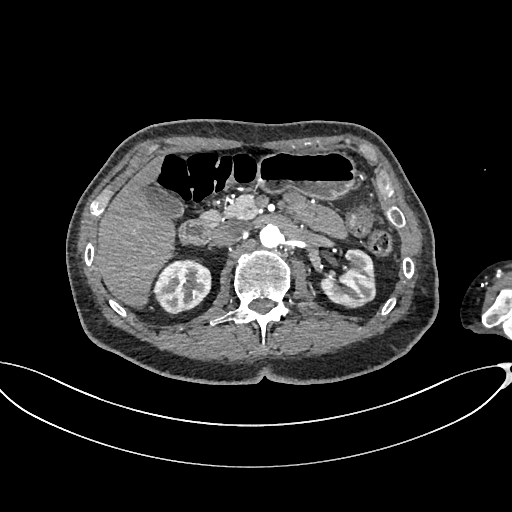
One axial slice (427 of 665, counting up from the lowest) of an arterial-phase abdominal CT acquired with 100 kVp, kernel I26f; each pixel is 0.828 mm and the slice is 1.00 mm thick.
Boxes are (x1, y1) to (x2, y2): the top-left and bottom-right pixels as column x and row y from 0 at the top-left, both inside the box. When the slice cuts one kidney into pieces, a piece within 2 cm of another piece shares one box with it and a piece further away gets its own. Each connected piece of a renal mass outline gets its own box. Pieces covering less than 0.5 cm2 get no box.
Two boxes on this slice (two kidney boxes), listed by box centre from the image's left to its right. (1) Right kidney from (153, 259) to (211, 314) (outlined area 2,482 px, about 17.0 cm2). (2) Left kidney, box (320, 249) to (376, 308) (outlined area 2,313 px, about 15.9 cm2).